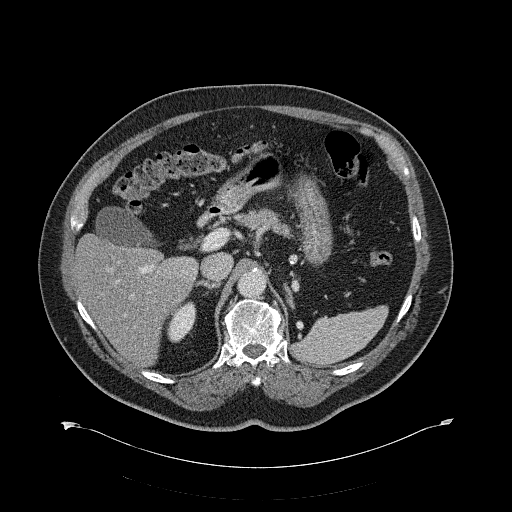
Axial slice 426 of 734 of a contrast-enhanced abdominal CT (slice 1 is the lowest), 120 kVp, kernel B31f; 2.00 mm slice thickness and 0.971 mm pixels.
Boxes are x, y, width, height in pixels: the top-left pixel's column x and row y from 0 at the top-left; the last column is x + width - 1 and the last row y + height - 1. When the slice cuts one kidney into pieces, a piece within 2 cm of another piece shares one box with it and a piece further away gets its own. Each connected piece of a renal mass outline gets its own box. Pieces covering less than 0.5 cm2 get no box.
Right kidney at x 166, y 301, width 31, height 42 (outlined area 820 px, about 7.7 cm2). No renal mass is outlined on this slice.